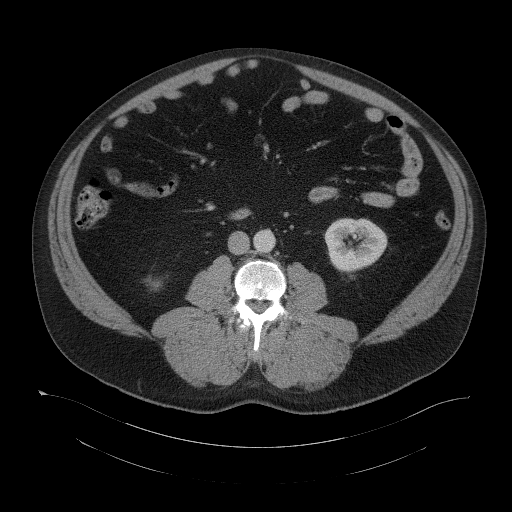
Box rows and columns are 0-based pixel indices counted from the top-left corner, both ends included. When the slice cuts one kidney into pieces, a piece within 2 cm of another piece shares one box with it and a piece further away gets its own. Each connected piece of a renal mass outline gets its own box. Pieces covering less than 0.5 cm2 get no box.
Slice 57/104 of a contrast-enhanced abdominal CT, counting up from the lowest; pixel size 0.977 mm, slice thickness 5.00 mm. Boxed on this slice (two kidney boxes), listed by box centre from the image's left to its right: (1) Right kidney at rows 277–290, columns 146–161 (outlined area 116 px, about 1.1 cm2). (2) Box rows 218–272, columns 324–387: left kidney (outlined area 2,645 px, about 25.2 cm2). No renal mass outline on this slice.
Scan settings: 120 kVp, B41f reconstruction kernel.